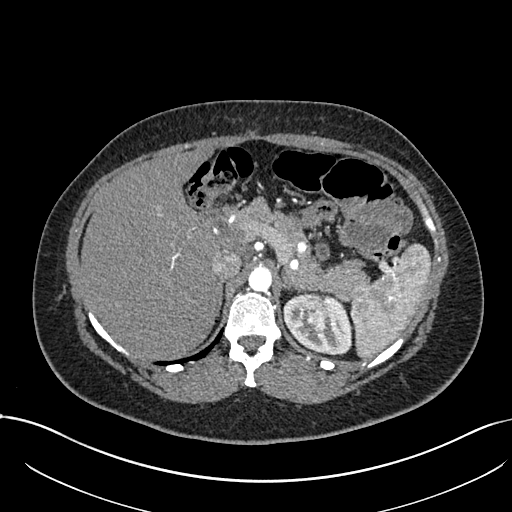
One axial slice (531 of 738, counting up from the lowest) of an arterial-phase abdominal CT acquired with 120 kVp, kernel I30f; each pixel is 0.789 mm and the slice is 1.00 mm thick.
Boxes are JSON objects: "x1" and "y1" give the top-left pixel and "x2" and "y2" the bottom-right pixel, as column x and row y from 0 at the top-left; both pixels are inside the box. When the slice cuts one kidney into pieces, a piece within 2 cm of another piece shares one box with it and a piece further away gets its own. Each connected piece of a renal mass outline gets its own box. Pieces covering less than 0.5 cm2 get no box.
One kidney box and one renal mass box on this slice; by box centre, from the image's left to its right: (1) Box {"x1": 304, "y1": 295, "x2": 327, "y2": 331}: left renal mass (outlined area 704 px, about 4.4 cm2). (2) Left kidney at {"x1": 283, "y1": 291, "x2": 351, "y2": 354} (outlined area 2,686 px, about 16.7 cm2).